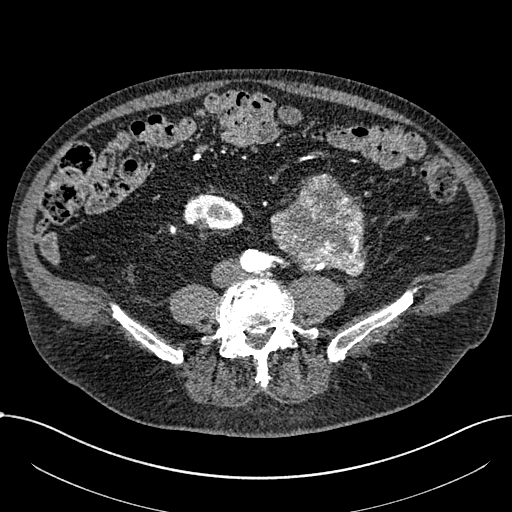
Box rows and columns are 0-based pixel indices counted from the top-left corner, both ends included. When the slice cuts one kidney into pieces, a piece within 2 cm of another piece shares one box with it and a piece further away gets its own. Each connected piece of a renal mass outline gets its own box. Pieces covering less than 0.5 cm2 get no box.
This is axial slice 217 of 1059 (slice 1 is the lowest) of an arterial-phase abdominal CT with contrast; each pixel is 0.811 mm and the slice is 1.00 mm thick. Boxed on this slice (one kidney box and one renal mass box), listed by box centre from the image's left to its right: (1) Box rows 193–235, columns 183–243: right part of the midline-crossing kidney (outlined area 1,739 px, about 11.4 cm2). (2) Box rows 173–276, columns 270–366: renal mass (outlined area 6,958 px, about 45.7 cm2); it sits over 1 cm from every kidney outline on this slice, but the same outlined renal mass comes within 1 cm of the kidney on another slice.
Scan settings: 100 kVp, I30f reconstruction kernel.